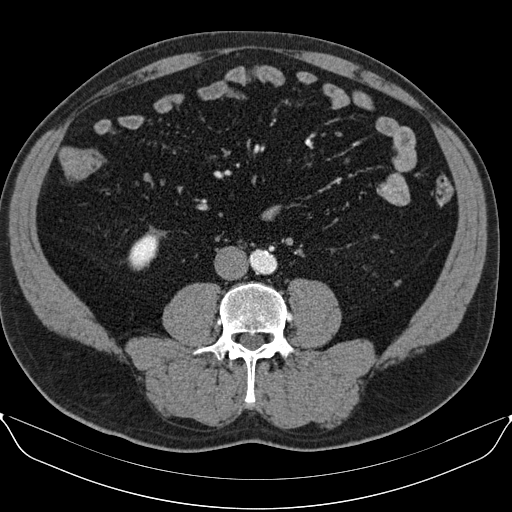
Abdominal CT with intravenous contrast, arterial phase, axial plane, 130 kVp, kernel B30s. Slice 26/96 from the bottom of the scan; thickness 3.00 mm; pixel size 0.781 mm.
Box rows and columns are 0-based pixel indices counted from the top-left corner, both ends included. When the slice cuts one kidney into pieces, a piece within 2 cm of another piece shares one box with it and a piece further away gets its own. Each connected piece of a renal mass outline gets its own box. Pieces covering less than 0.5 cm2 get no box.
Box rows 234–269, columns 130–158: right kidney (outlined area 733 px, about 4.5 cm2). This slice carries no renal mass outline.